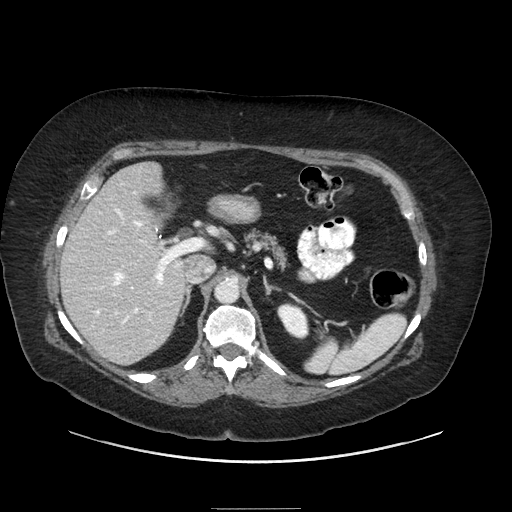
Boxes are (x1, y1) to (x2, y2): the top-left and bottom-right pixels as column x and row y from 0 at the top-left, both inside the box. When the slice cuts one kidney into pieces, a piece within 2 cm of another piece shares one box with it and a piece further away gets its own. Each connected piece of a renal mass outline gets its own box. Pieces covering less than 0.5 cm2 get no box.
Slice 146/186 of a contrast-enhanced abdominal CT, counting up from the lowest; pixel size 0.850 mm, slice thickness 2.50 mm. Box (277, 302) to (309, 339): left kidney (outlined area 874 px, about 6.3 cm2). This slice carries no renal mass outline.
Scan settings: 120 kVp, STANDARD reconstruction kernel.